Abdominal CT with intravenous contrast, arterial phase, axial plane, 120 kVp, kernel B30f. Slice 284/512 from the bottom of the scan; thickness 1.00 mm; pixel size 0.771 mm.
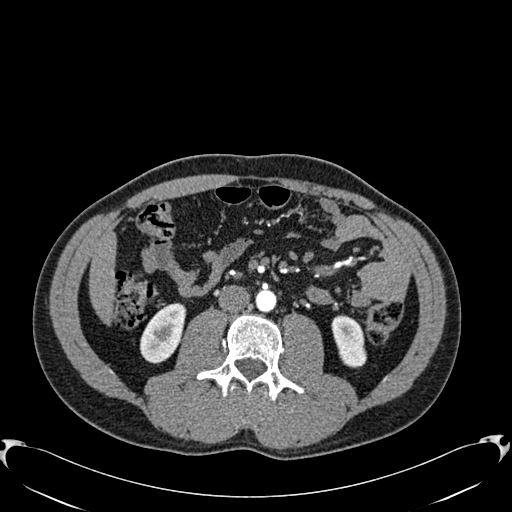
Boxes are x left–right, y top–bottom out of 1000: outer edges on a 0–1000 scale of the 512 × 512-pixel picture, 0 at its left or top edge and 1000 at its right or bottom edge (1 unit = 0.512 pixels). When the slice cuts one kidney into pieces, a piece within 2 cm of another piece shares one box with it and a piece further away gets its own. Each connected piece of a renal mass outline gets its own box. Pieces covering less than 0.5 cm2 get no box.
Two kidney boxes on this slice; by box centre, from the image's left to its right: (1) Right kidney, box x 273–365, y 592–711 out of 1000 (outlined area 1,987 px, about 11.8 cm2). (2) Left kidney, box x 646–717, y 613–719 out of 1000 (outlined area 1,399 px, about 8.3 cm2). This slice carries no renal mass outline.